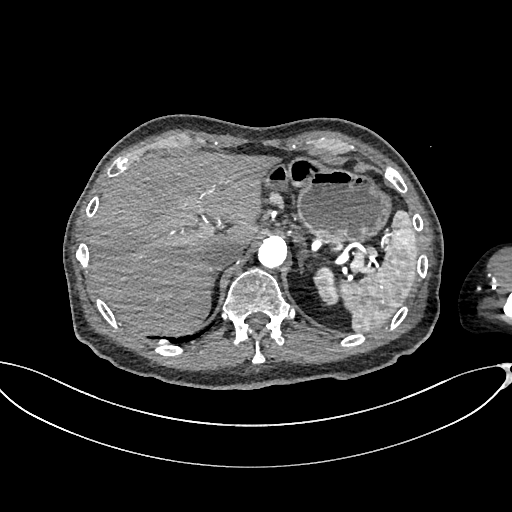
Arterial-phase contrast-enhanced abdominal CT, axial slice 517 of 665 (counted from the lowest slice); tube voltage 100 kVp, convolution kernel I26f; slices 1.00 mm thick, 0.828 mm per pixel.
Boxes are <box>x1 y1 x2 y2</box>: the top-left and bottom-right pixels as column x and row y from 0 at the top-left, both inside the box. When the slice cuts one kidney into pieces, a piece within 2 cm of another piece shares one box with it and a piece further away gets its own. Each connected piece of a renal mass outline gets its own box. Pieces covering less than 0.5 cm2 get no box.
Left kidney at <box>313 266 339 305</box> (outlined area 733 px, about 5.0 cm2). No renal mass outline on this slice.